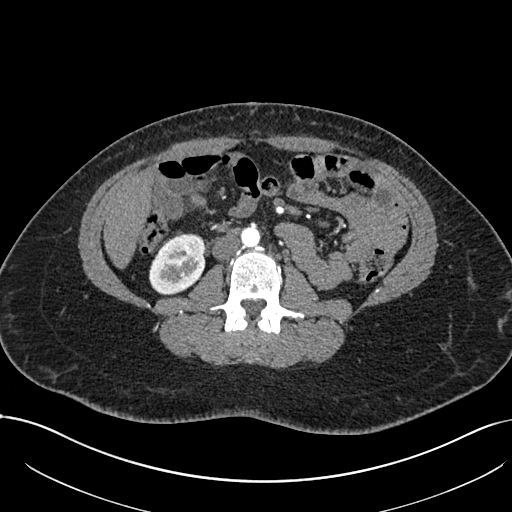
Arterial-phase contrast-enhanced abdominal CT, axial slice 348 of 738 (counted from the lowest slice); tube voltage 120 kVp, convolution kernel I30f; slices 1.00 mm thick, 0.789 mm per pixel.
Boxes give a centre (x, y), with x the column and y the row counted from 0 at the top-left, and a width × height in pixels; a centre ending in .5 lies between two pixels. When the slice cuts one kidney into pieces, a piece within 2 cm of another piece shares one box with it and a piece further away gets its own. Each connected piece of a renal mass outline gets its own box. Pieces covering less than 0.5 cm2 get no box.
Right kidney in a box with centre (177, 263.5), 57 × 62 pixels (outlined area 2,664 px, about 16.6 cm2). This slice carries no renal mass outline.